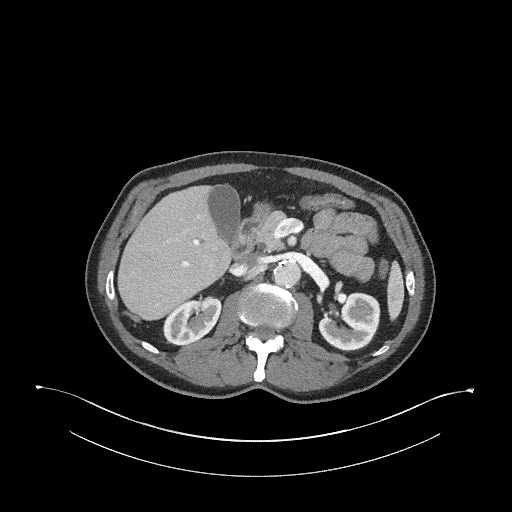
Axial slice 162 of 345 of a contrast-enhanced abdominal CT in the arterial phase (slice 1 is the lowest), 120 kVp, kernel I31f; 2.00 mm slice thickness and 0.977 mm pixels.
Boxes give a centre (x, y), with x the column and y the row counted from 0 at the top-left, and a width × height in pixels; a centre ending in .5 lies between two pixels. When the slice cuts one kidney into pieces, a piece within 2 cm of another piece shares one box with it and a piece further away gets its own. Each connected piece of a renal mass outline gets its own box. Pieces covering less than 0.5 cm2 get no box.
Two kidney boxes on this slice; by box centre, from the image's left to its right: (1) Right kidney, box centre (192, 320.5), 61 × 52 pixels (outlined area 2,091 px, about 19.9 cm2). (2) Left kidney, box centre (349, 321.5), 63 × 60 pixels (outlined area 2,729 px, about 26.0 cm2). This slice carries no renal mass outline.